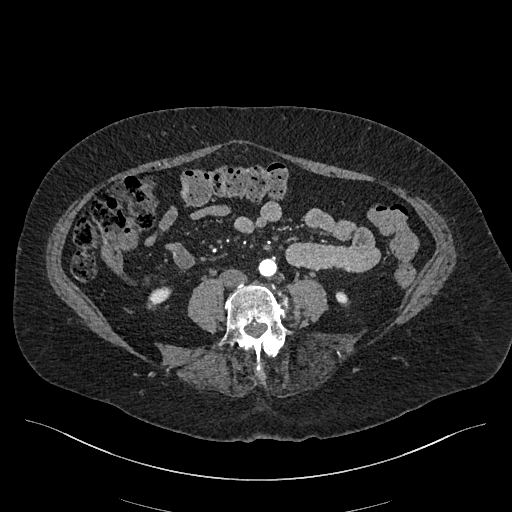
Abdominal CT with intravenous contrast, arterial phase, axial plane, 120 kVp, kernel I26f. Slice 146/548 from the bottom of the scan; thickness 1.00 mm; pixel size 0.852 mm.
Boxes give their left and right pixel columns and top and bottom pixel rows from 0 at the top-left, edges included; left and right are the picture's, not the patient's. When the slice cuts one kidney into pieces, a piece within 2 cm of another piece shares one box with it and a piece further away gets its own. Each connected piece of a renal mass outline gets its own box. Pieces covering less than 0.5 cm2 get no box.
Boxed on this slice (two kidney boxes), listed by box centre from the image's left to its right: (1) Right kidney in the box with left 147, top 286, right 171, bottom 309 (outlined area 345 px, about 2.5 cm2). (2) Left kidney, the box with left 335, top 291, right 349, bottom 306 (outlined area 157 px, about 1.1 cm2). This slice carries no renal mass outline.